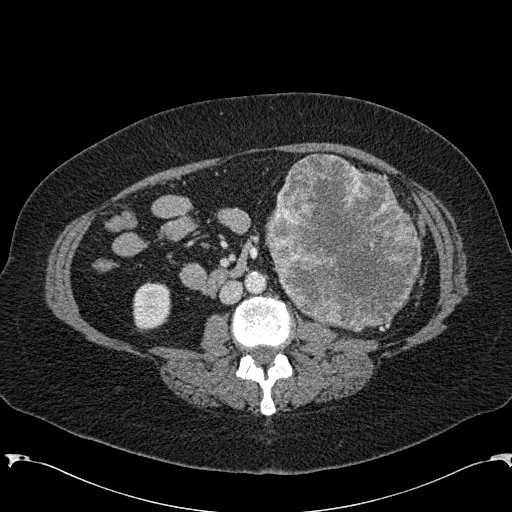
Axial slice 97 of 285 of a contrast-enhanced abdominal CT in the arterial phase (slice 1 is the lowest), 120 kVp, kernel B31f; 2.00 mm slice thickness and 0.762 mm pixels.
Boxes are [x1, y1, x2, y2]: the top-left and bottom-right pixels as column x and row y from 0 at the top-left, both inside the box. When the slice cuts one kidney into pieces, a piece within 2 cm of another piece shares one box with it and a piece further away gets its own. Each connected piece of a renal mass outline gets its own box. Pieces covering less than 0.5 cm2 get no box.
Two boxes on this slice (one kidney box and one renal mass box), listed by box centre from the image's left to its right. (1) Right kidney at [132, 281, 171, 331] (outlined area 1,565 px, about 9.1 cm2). (2) Left renal mass, box [265, 153, 421, 331] (outlined area 20,648 px, about 119.8 cm2); on this slice it lies more than 1 cm from any kidney outline, but the same outlined renal mass comes within 1 cm of the kidney on another slice.